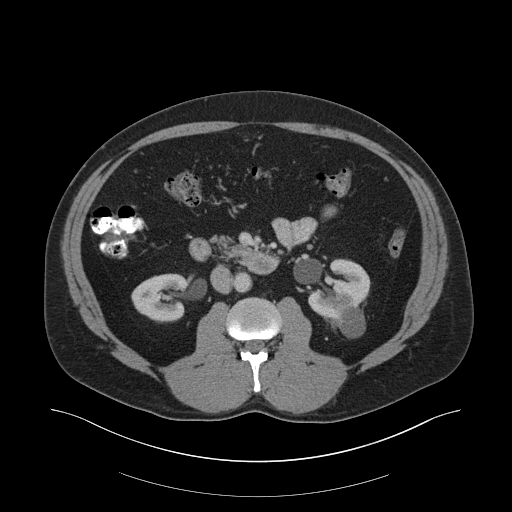
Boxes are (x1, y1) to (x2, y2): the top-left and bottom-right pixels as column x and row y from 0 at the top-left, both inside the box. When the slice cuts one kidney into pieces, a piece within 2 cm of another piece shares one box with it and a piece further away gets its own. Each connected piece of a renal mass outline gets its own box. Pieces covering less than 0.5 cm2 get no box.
This is axial slice 101 of 159 (slice 1 is the lowest) of an arterial-phase abdominal CT with contrast; each pixel is 0.977 mm and the slice is 3.00 mm thick. Two kidney boxes and one renal mass box on this slice; by box centre, from the image's left to its right: (1) Right kidney from (131, 273) to (187, 322) (outlined area 2,179 px, about 20.8 cm2). (2) Box (308, 259) to (370, 320): left kidney (outlined area 2,483 px, about 23.7 cm2). (3) Left renal mass, box (334, 309) to (365, 337) (outlined area 643 px, about 6.1 cm2).
Scan settings: 140 kVp, B30f reconstruction kernel.